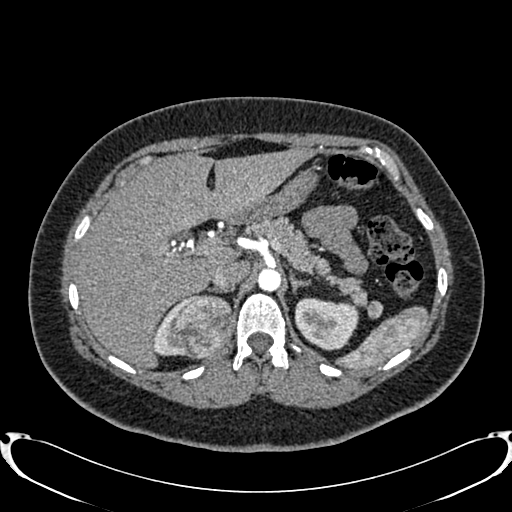
Abdominal CT with intravenous contrast, arterial phase, axial plane, 120 kVp, kernel B20f. Slice 574/719 from the bottom of the scan; thickness 1.00 mm; pixel size 0.766 mm.
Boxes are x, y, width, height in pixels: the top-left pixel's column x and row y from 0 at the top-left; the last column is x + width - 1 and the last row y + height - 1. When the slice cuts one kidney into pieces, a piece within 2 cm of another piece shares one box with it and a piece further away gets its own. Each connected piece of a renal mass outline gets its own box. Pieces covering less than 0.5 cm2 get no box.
Boxed on this slice (two kidney boxes and one renal mass box), listed by box centre from the image's left to its right: (1) Box x 152, y 298, width 35, height 59: right kidney (outlined area 601 px, about 3.5 cm2). (2) Box x 167, y 294, width 67, height 65: right renal mass (outlined area 3,400 px, about 19.9 cm2). (3) Left kidney at x 294, y 297, width 65, height 54 (outlined area 2,637 px, about 15.5 cm2).